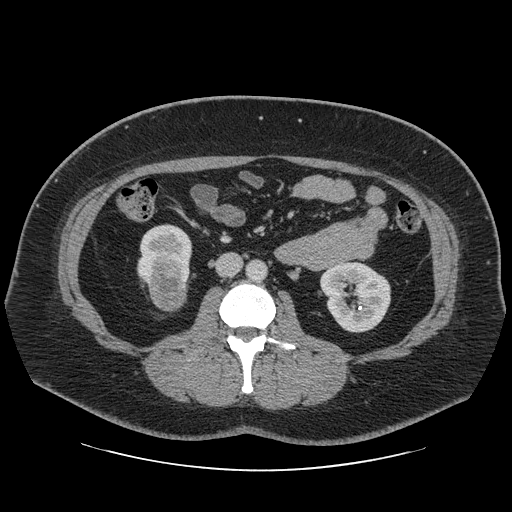
Arterial-phase contrast-enhanced abdominal CT, axial slice 22 of 69 (counted from the lowest slice); tube voltage 120 kVp, convolution kernel STANDARD; slices 2.50 mm thick, 0.846 mm per pixel.
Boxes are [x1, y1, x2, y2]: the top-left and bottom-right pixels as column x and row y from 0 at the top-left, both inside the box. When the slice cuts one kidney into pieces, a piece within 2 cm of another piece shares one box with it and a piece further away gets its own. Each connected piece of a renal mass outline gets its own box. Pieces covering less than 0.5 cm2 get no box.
Three boxes on this slice (two kidney boxes and one renal mass box), listed by box centre from the image's left to its right. (1) Right kidney, box [136, 224, 192, 286] (outlined area 2,573 px, about 18.4 cm2). (2) Box [148, 273, 188, 312]: right renal mass (outlined area 1,230 px, about 8.8 cm2). (3) Box [320, 261, 390, 332]: left kidney (outlined area 3,824 px, about 27.3 cm2).